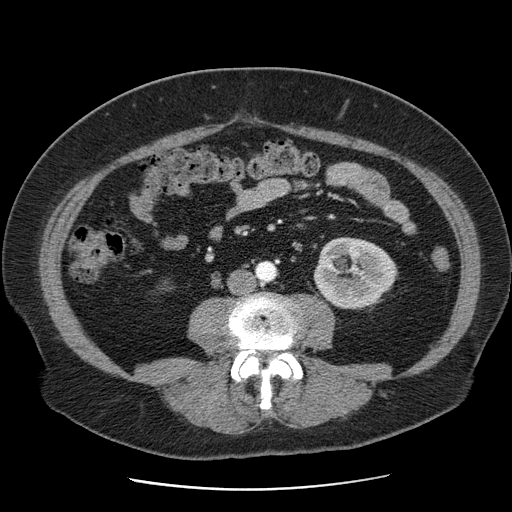
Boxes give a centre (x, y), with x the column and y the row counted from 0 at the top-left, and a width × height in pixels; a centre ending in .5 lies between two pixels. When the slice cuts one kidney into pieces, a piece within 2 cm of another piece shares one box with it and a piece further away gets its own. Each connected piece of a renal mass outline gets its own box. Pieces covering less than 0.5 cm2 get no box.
Contrast-enhanced abdominal CT, axial slice 21 of 103 (counted from the lowest slice); 2.50 mm thick, 0.736 mm per pixel. Box centre (354, 273), 83 × 73 pixels: left kidney (outlined area 4,615 px, about 25.0 cm2). No renal mass outline on this slice.
Tube voltage 120 kVp; convolution kernel STANDARD.